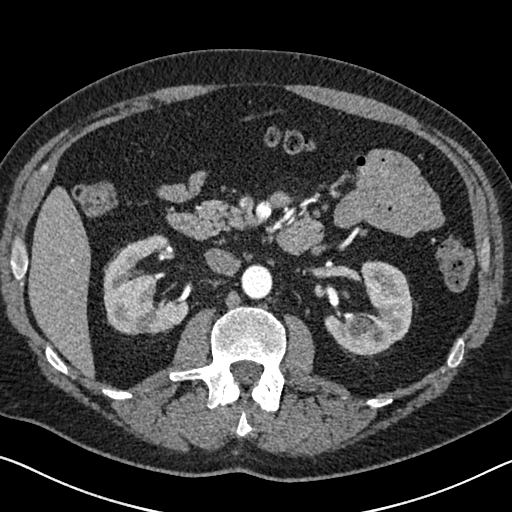
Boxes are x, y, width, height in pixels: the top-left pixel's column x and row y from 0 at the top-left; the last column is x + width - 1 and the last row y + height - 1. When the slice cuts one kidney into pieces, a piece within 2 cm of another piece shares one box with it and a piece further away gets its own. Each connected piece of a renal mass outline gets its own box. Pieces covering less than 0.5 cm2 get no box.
Arterial-phase contrast-enhanced abdominal CT, axial slice 397 of 626 (counted from the lowest slice); 1.00 mm thick, 0.703 mm per pixel. Two kidney boxes on this slice; by box centre, from the image's left to its right: (1) Right kidney at x 103, y 234, width 86, height 102 (outlined area 5,661 px, about 28.0 cm2). (2) Box x 324, y 260, width 89, height 97: left kidney (outlined area 5,240 px, about 25.9 cm2). This slice carries no renal mass outline.
Scan settings: 120 kVp, I30f reconstruction kernel.